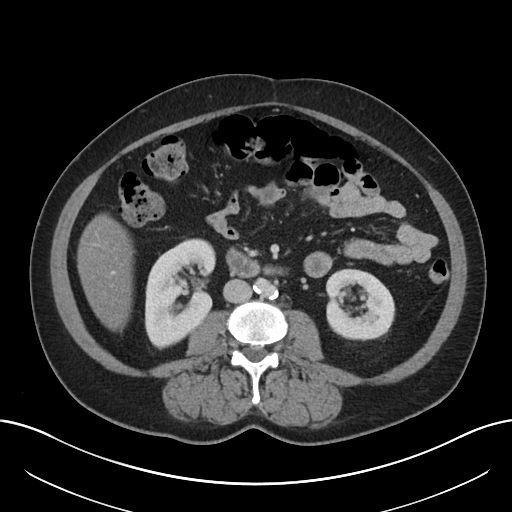
Axial slice 104 of 197 of a contrast-enhanced abdominal CT (slice 1 is the lowest), 120 kVp, kernel I30f; 5.00 mm slice thickness and 0.791 mm pixels.
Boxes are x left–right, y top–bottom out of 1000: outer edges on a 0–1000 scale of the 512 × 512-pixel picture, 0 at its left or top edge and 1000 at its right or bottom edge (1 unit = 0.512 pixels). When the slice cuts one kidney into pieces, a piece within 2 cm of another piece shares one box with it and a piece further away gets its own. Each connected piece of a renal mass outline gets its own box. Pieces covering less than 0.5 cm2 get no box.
Boxed on this slice (two kidney boxes), listed by box centre from the image's left to its right: (1) Right kidney, box x 281–422, y 465–682 out of 1000 (outlined area 5,819 px, about 36.4 cm2). (2) Left kidney, box x 635–773, y 523–668 out of 1000 (outlined area 4,061 px, about 25.4 cm2). No renal mass is outlined on this slice.